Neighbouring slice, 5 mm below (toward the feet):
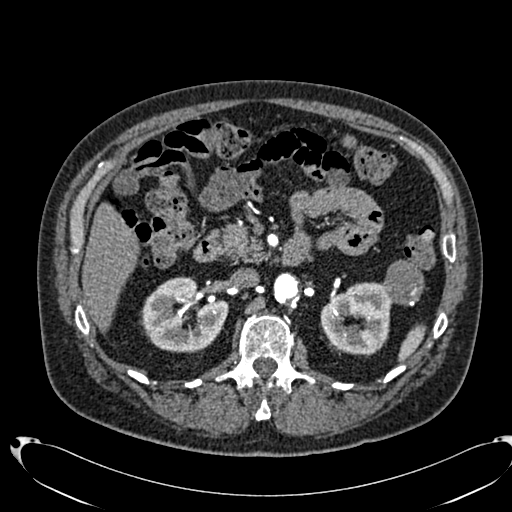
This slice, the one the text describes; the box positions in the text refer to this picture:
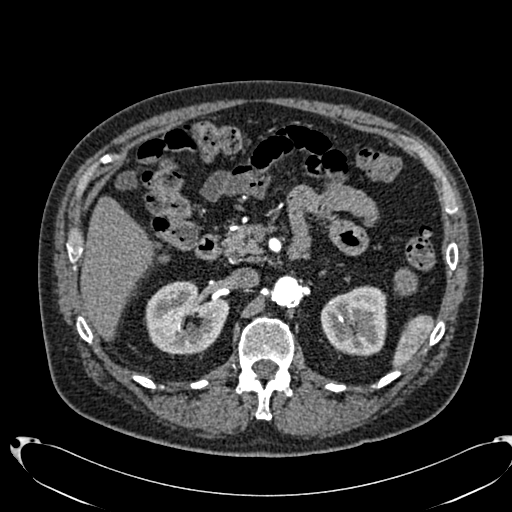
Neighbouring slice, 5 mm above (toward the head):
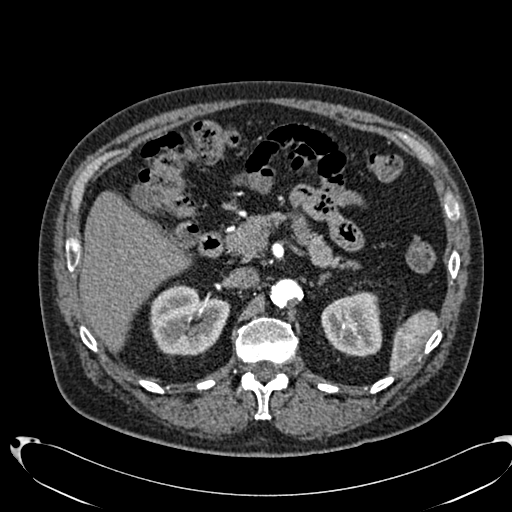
One axial slice (452 of 553, counting up from the lowest) of an arterial-phase abdominal CT acquired with 120 kVp, kernel B20f; each pixel is 0.773 mm and the slice is 1.00 mm thick.
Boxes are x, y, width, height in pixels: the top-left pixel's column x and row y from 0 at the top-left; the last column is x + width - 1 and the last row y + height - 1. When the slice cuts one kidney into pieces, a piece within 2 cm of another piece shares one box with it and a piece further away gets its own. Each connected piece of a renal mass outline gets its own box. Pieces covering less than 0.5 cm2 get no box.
Three boxes on this slice (two kidney boxes and one renal mass box), listed by box centre from the image's left to its right. (1) Right kidney, box x 144, y 281, width 86, height 76 (outlined area 4,725 px, about 28.3 cm2). (2) Left kidney, box x 320, y 285, width 67, height 72 (outlined area 3,800 px, about 22.7 cm2). (3) Left renal mass at x 394, y 268, width 24, height 28 (outlined area 528 px, about 3.2 cm2). This slice lies near the end of the left renal mass toward the head; the slices 5 mm below and 5 mm above it are shown too, and the boxes mark positions on this slice only.